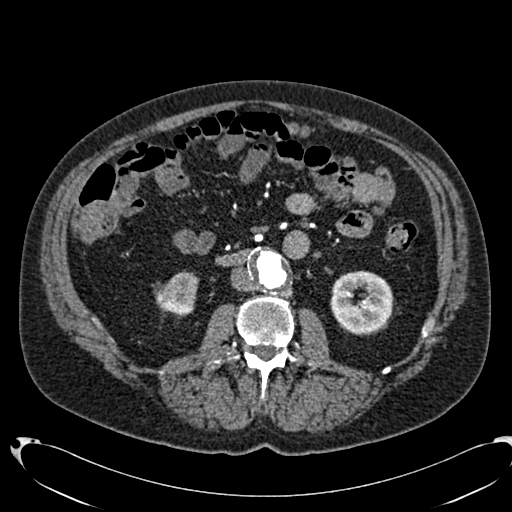
Axial slice 363 of 553 of a contrast-enhanced abdominal CT in the arterial phase (slice 1 is the lowest), 120 kVp, kernel B20f; 1.00 mm slice thickness and 0.773 mm pixels.
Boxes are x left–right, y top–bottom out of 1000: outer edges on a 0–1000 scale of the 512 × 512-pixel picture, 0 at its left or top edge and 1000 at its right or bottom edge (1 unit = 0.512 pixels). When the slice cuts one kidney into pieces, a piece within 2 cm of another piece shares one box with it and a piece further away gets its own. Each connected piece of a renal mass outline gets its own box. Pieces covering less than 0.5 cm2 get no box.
Two kidney boxes on this slice; by box centre, from the image's left to its right: (1) Right kidney at x 305–391, y 529–617 out of 1000 (outlined area 1,402 px, about 8.4 cm2). (2) Left kidney, box x 645–770, y 527–654 out of 1000 (outlined area 3,131 px, about 18.7 cm2). No renal mass outline on this slice.